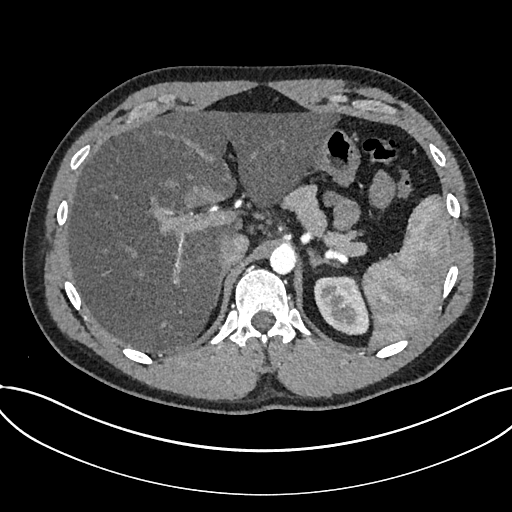
Axial slice 559 of 735 of a contrast-enhanced abdominal CT in the arterial phase (slice 1 is the lowest), 120 kVp, kernel I30f; 1.00 mm slice thickness and 0.789 mm pixels.
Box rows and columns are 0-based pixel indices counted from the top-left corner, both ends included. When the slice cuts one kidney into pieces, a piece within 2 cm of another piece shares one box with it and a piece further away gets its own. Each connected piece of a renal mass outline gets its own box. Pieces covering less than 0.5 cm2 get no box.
Kidney, box rows 276–335, columns 314–368 (outlined area 2,514 px, about 15.7 cm2). No renal mass is outlined on this slice.